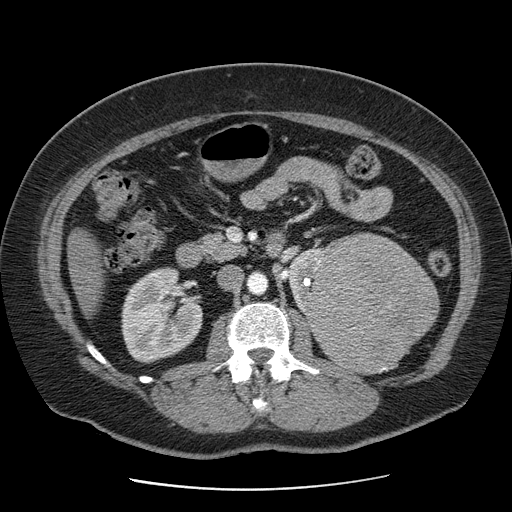
Axial slice 43 of 103 of a contrast-enhanced abdominal CT (slice 1 is the lowest), 120 kVp, kernel STANDARD; 2.50 mm slice thickness and 0.736 mm pixels.
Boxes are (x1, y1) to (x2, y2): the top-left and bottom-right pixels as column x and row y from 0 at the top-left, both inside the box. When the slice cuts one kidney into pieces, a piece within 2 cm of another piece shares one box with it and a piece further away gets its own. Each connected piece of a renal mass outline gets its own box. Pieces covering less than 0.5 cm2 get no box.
Boxed on this slice (two kidney boxes and one renal mass box), listed by box centre from the image's left to its right: (1) Box (121, 267) to (202, 363): right kidney (outlined area 5,876 px, about 31.9 cm2). (2) Left kidney from (288, 247) to (323, 315) (outlined area 1,306 px, about 7.1 cm2). (3) Left renal mass from (305, 232) to (440, 375) (outlined area 14,165 px, about 76.8 cm2).